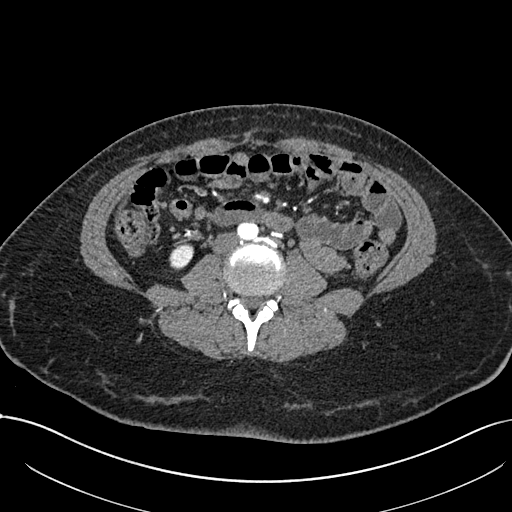
Abdominal CT with intravenous contrast, arterial phase, axial plane, 120 kVp, kernel I30f. Slice 306/738 from the bottom of the scan; thickness 1.00 mm; pixel size 0.789 mm.
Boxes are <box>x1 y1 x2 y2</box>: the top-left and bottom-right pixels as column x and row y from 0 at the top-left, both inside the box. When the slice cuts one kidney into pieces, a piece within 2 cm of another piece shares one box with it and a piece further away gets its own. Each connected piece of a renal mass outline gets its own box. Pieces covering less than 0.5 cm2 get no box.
Right kidney: <box>169 243 193 270</box> (outlined area 507 px, about 3.2 cm2). This slice carries no renal mass outline.